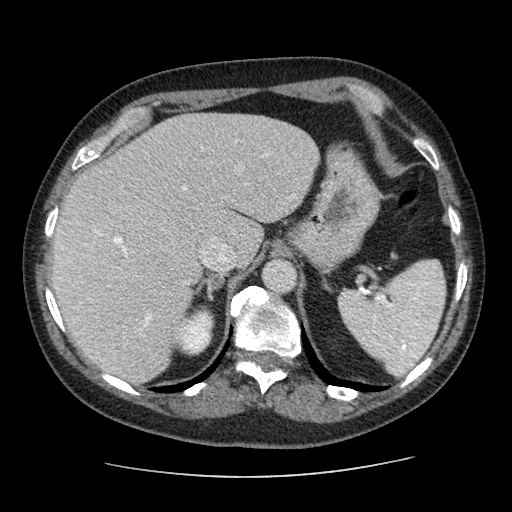
Axial slice 76 of 96 of a contrast-enhanced abdominal CT in the arterial phase (slice 1 is the lowest), 120 kVp, kernel STANDARD; 2.50 mm slice thickness and 0.689 mm pixels.
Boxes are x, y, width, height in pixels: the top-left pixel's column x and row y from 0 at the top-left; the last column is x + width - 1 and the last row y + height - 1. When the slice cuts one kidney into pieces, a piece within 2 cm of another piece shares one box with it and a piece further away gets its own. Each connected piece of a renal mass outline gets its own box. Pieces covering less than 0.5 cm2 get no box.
Right kidney, box x 172, y 305, width 44, height 52 (outlined area 1,643 px, about 7.8 cm2). No renal mass outline on this slice.